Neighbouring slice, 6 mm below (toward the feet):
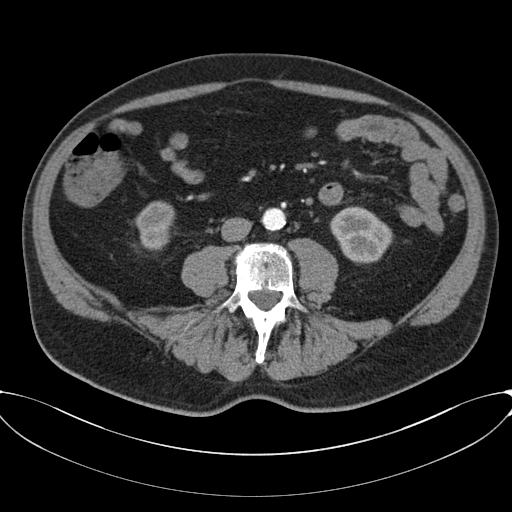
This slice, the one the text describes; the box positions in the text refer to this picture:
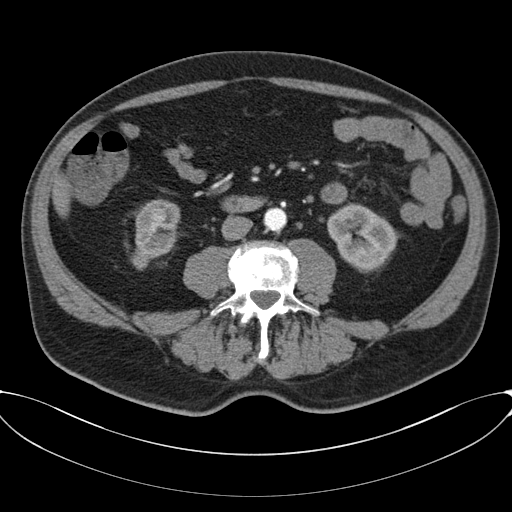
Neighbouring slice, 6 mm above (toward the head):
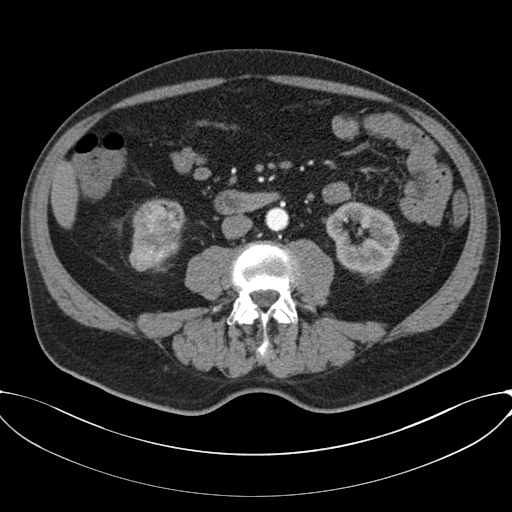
One axial slice (20 of 80, counting up from the lowest) of a contrast-enhanced abdominal CT acquired with 120 kVp, kernel B30f; each pixel is 0.822 mm and the slice is 3.00 mm thick.
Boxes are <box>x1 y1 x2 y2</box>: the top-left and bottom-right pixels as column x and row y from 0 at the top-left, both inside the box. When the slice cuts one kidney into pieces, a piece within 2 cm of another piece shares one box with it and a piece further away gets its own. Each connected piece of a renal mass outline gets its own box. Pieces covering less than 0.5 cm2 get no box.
Two kidney boxes and two renal mass boxes on this slice; by box centre, from the image's left to its right: (1) Right renal mass at <box>131 245 150 270</box> (outlined area 343 px, about 2.3 cm2). (2) Right renal mass: <box>150 208 165 230</box> (outlined area 263 px, about 1.8 cm2). (3) Right kidney at <box>135 199 180 259</box> (outlined area 1,742 px, about 11.8 cm2). (4) Left kidney: <box>327 203 400 273</box> (outlined area 3,437 px, about 23.2 cm2). This slice is near the end of the right renal mass toward the feet, so the slices 6 mm below and 6 mm above it are shown as well; the boxes refer to this slice only.